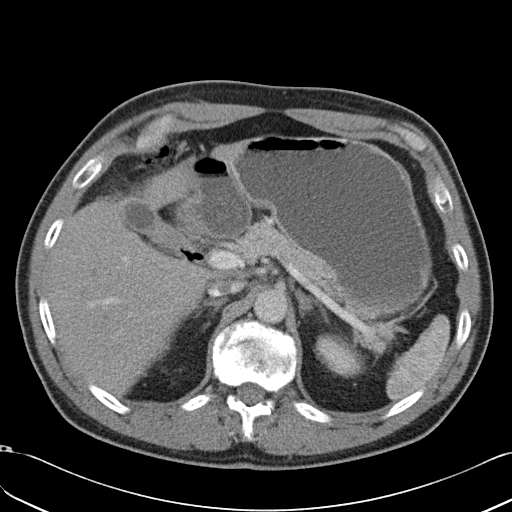
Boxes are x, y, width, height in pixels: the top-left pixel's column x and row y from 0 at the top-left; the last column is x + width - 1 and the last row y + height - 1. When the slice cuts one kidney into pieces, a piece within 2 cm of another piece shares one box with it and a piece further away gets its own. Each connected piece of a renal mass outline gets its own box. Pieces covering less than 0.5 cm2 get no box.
Slice 29/49 of a contrast-enhanced abdominal CT in the arterial phase, counting up from the lowest; pixel size 0.691 mm, slice thickness 5.00 mm. Left kidney at x 314, y 334, width 48, height 45 (outlined area 1,442 px, about 6.9 cm2). No renal mass outline on this slice.
Tube voltage 120 kVp; convolution kernel B31f.